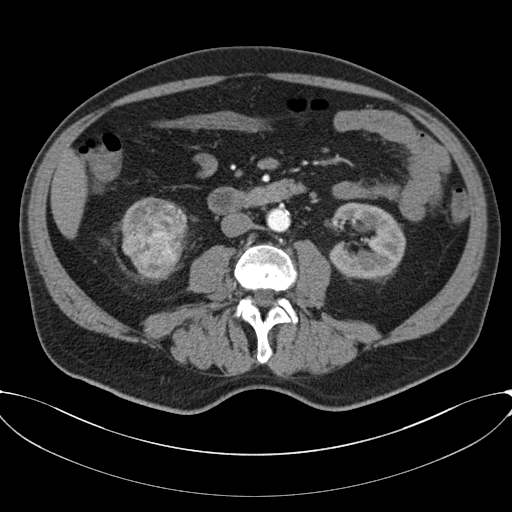
Abdominal CT with intravenous contrast, axial plane, 120 kVp, kernel B30f. Slice 25/80 from the bottom of the scan; thickness 3.00 mm; pixel size 0.822 mm.
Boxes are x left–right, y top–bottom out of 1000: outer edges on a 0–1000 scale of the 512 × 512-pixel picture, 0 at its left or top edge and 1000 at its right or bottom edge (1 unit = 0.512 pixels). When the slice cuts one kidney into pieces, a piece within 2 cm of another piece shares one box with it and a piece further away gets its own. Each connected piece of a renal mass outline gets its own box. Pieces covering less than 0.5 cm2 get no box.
Three kidney boxes and one renal mass box on this slice; by box centre, from the image's left to its right: (1) Box x 238–291, y 389–463 out of 1000: right kidney (one of two boxed parts) (outlined area 245 px, about 1.7 cm2). (2) Right renal mass at x 238–365, y 387–533 out of 1000 (outlined area 3,733 px, about 25.2 cm2). (3) Right kidney (one of two boxed parts), box x 270–342, y 525–543 out of 1000 (outlined area 173 px, about 1.2 cm2). (4) Left kidney at x 643–793, y 395–551 out of 1000 (outlined area 4,308 px, about 29.1 cm2).